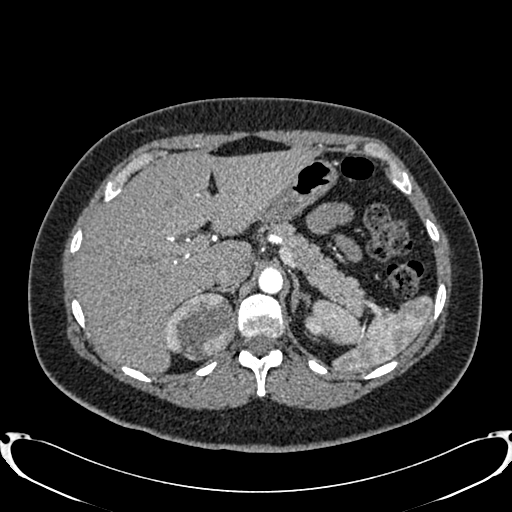
Arterial-phase contrast-enhanced abdominal CT, axial slice 593 of 719 (counted from the lowest slice); tube voltage 120 kVp, convolution kernel B20f; slices 1.00 mm thick, 0.766 mm per pixel.
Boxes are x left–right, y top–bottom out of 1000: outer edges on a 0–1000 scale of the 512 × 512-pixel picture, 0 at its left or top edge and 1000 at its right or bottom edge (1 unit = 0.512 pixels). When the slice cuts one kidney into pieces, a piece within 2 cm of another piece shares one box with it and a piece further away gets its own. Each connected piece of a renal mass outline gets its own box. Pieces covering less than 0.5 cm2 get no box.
Boxed on this slice (two kidney boxes and one renal mass box), listed by box centre from the image's left to its right: (1) Right kidney at x 322–348, y 613–691 out of 1000 (outlined area 145 px, about 0.8 cm2). (2) Right renal mass at x 328–461, y 568–707 out of 1000 (outlined area 3,598 px, about 21.1 cm2). (3) Left kidney, box x 594–635, y 613–658 out of 1000 (outlined area 337 px, about 2.0 cm2).